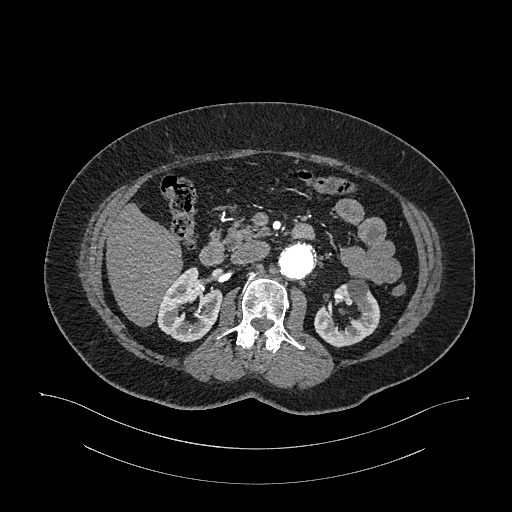
Abdominal CT with intravenous contrast, arterial phase, axial plane, 120 kVp, kernel I26f. Slice 659/987 from the bottom of the scan; thickness 1.00 mm; pixel size 0.977 mm.
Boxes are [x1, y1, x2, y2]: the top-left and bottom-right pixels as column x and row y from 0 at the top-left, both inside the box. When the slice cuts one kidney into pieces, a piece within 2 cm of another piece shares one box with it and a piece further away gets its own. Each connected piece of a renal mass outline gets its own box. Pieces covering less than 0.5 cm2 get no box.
Boxed on this slice (two kidney boxes), listed by box centre from the image's left to its right: (1) Right kidney at [157, 266, 222, 342] (outlined area 3,221 px, about 30.7 cm2). (2) Box [314, 279, 380, 347]: left kidney (outlined area 2,762 px, about 26.3 cm2). This slice carries no renal mass outline.